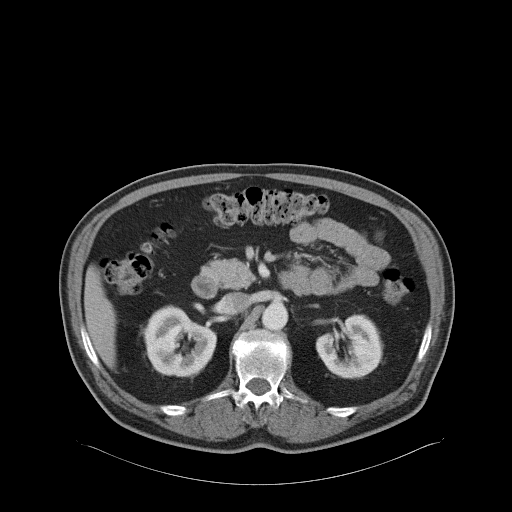
Abdominal CT with intravenous contrast, arterial phase, axial plane, 120 kVp, kernel B31f. Slice 44/68 from the bottom of the scan; thickness 5.00 mm; pixel size 0.961 mm.
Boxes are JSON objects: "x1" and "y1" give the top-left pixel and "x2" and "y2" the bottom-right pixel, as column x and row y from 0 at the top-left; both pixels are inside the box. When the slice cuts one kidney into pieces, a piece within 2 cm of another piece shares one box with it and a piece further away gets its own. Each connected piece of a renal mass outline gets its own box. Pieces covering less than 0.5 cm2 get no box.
Two boxes on this slice (two kidney boxes), listed by box centre from the image's left to its right. (1) Right kidney at {"x1": 141, "y1": 305, "x2": 216, "y2": 376} (outlined area 3,845 px, about 35.5 cm2). (2) Box {"x1": 315, "y1": 314, "x2": 382, "y2": 378}: left kidney (outlined area 3,146 px, about 29.1 cm2). No renal mass is outlined on this slice.